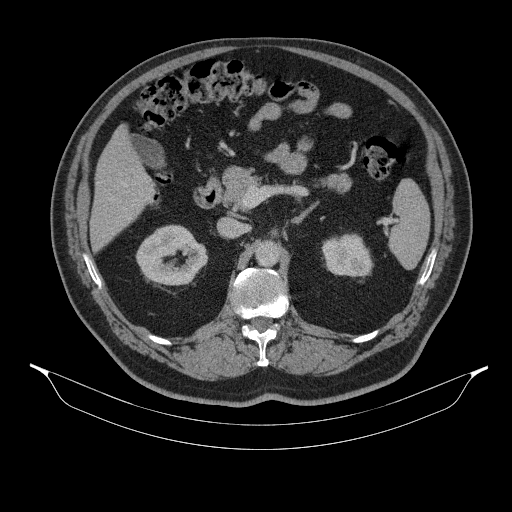
One axial slice (218 of 314, counting up from the lowest) of a contrast-enhanced abdominal CT acquired with 130 kVp, kernel B31s; each pixel is 0.934 mm and the slice is 2.50 mm thick.
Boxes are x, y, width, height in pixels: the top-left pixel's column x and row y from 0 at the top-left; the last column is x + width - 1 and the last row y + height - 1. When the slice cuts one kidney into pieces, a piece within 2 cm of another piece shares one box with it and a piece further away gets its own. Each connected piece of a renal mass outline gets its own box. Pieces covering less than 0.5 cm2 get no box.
Two kidney boxes on this slice; by box centre, from the image's left to its right: (1) Right kidney at x 135, y 224, width 74, height 62 (outlined area 3,170 px, about 27.6 cm2). (2) Left kidney at x 321, y 233, width 53, height 46 (outlined area 1,817 px, about 15.8 cm2). This slice carries no renal mass outline.